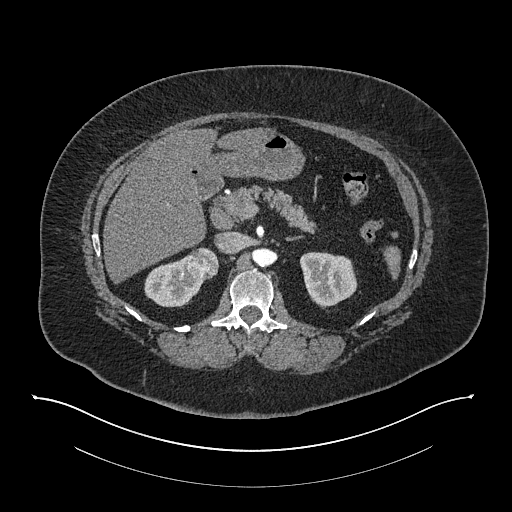
Axial slice 525 of 673 of a contrast-enhanced abdominal CT in the arterial phase (slice 1 is the lowest), 140 kVp, kernel I30f; 1.00 mm slice thickness and 0.957 mm pixels.
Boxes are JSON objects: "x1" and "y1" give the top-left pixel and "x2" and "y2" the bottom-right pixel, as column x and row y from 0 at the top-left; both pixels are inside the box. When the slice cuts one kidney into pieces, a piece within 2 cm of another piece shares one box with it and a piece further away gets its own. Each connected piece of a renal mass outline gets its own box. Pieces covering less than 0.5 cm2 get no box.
Three boxes on this slice (two kidney boxes and one renal mass box), listed by box centre from the image's left to its right. (1) Box {"x1": 144, "y1": 255, "x2": 204, "y2": 307}: right kidney (outlined area 2,009 px, about 18.4 cm2). (2) Right renal mass, box {"x1": 187, "y1": 247, "x2": 219, "y2": 280} (outlined area 844 px, about 7.7 cm2). (3) Box {"x1": 299, "y1": 252, "x2": 357, "y2": 308}: left kidney (outlined area 2,474 px, about 22.7 cm2).